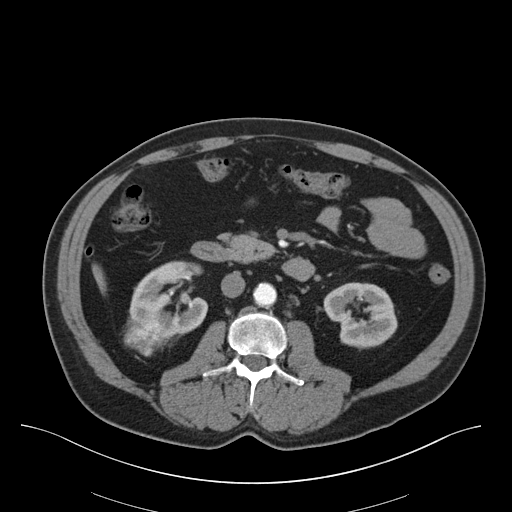
Axial slice 26 of 75 of a contrast-enhanced abdominal CT (slice 1 is the lowest), 140 kVp, kernel B30f; 3.00 mm slice thickness and 0.875 mm pixels.
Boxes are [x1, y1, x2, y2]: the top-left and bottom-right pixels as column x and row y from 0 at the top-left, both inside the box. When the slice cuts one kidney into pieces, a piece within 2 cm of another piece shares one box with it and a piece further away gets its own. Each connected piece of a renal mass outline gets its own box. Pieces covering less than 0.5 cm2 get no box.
Three boxes on this slice (two kidney boxes and one renal mass box), listed by box centre from the image's left to its right. (1) Box [123, 317, 169, 356]: right renal mass (outlined area 1,345 px, about 10.3 cm2). (2) Right kidney at [129, 261, 207, 339] (outlined area 3,790 px, about 29.0 cm2). (3) Left kidney, box [322, 282, 397, 349] (outlined area 3,556 px, about 27.2 cm2).